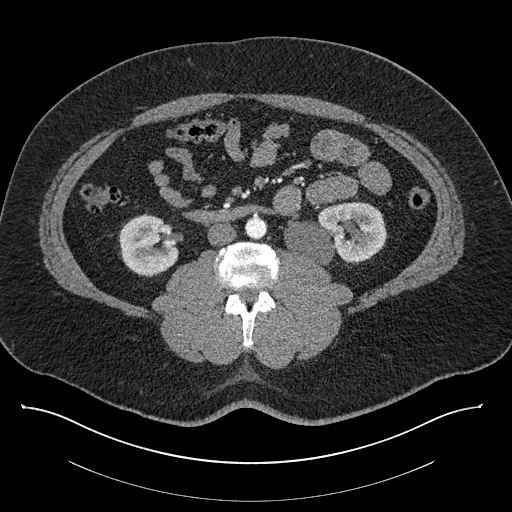
Axial slice 421 of 787 of a contrast-enhanced abdominal CT (slice 1 is the lowest), 140 kVp, kernel I30f; 1.00 mm slice thickness and 0.910 mm pixels.
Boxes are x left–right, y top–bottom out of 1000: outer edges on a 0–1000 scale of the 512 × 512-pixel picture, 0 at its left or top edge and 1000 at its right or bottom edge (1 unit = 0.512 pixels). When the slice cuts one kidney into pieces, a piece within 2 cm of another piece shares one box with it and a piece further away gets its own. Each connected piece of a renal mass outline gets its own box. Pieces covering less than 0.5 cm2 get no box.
Two boxes on this slice (two kidney boxes), listed by box centre from the image's left to its right. (1) Right kidney, box x 230–350, y 416–541 out of 1000 (outlined area 2,870 px, about 23.8 cm2). (2) Left kidney, box x 555–756, y 393–520 out of 1000 (outlined area 4,795 px, about 39.7 cm2). This slice carries no renal mass outline.